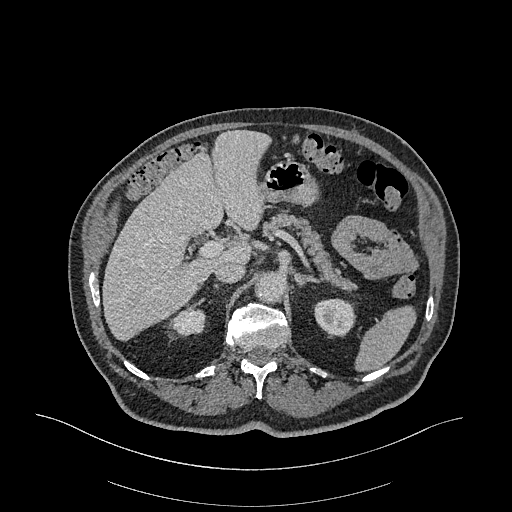
One axial slice (242 of 470, counting up from the lowest) of an arterial-phase abdominal CT acquired with 120 kVp, kernel I26f; each pixel is 0.938 mm and the slice is 1.00 mm thick.
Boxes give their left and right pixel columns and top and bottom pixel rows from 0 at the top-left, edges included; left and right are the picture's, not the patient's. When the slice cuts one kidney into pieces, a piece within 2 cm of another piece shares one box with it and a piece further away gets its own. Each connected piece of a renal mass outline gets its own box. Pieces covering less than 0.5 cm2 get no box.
Two kidney boxes on this slice; by box centre, from the image's left to its right: (1) Right kidney, the box with left 172, top 306, right 206, bottom 337 (outlined area 787 px, about 6.9 cm2). (2) Box with left 313, top 298, right 356, bottom 335: left kidney (outlined area 1,282 px, about 11.3 cm2). This slice carries no renal mass outline.